Axial slice 547 of 673 of a contrast-enhanced abdominal CT in the arterial phase (slice 1 is the lowest), 140 kVp, kernel I30f; 1.00 mm slice thickness and 0.957 mm pixels.
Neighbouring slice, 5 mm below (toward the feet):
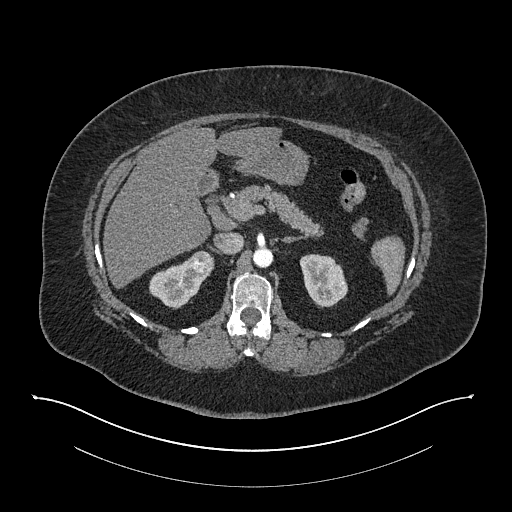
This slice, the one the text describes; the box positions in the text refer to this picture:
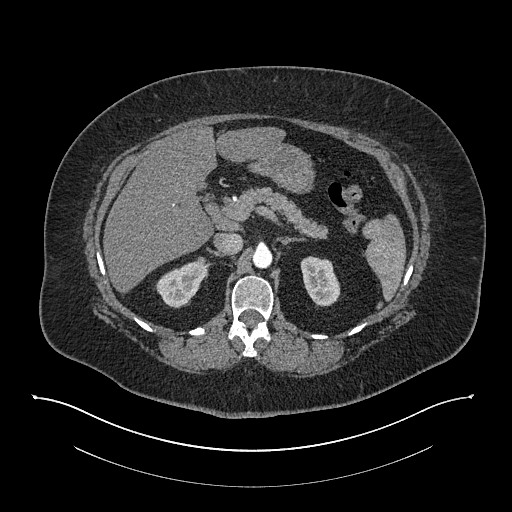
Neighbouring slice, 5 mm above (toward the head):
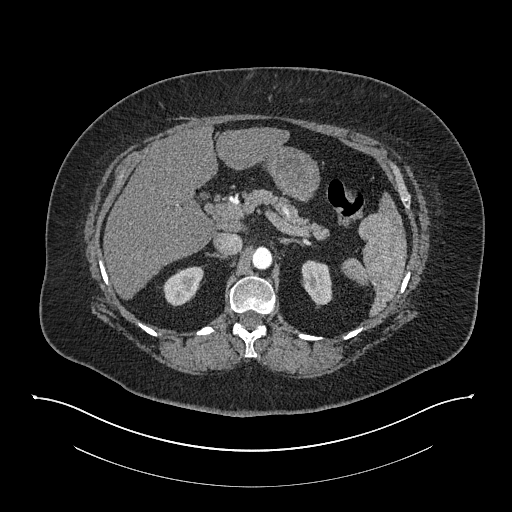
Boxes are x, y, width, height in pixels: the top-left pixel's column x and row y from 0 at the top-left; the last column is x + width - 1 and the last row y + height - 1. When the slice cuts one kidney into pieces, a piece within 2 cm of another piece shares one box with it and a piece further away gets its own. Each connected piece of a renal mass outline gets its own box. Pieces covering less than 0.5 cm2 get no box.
Three boxes on this slice (two kidney boxes and one renal mass box), listed by box centre from the image's left to its right. (1) Right kidney, box x 155, y 258, width 56, height 51 (outlined area 1,601 px, about 14.7 cm2). (2) Right renal mass, box x 195, y 257, width 10, height 10 (outlined area 77 px, about 0.7 cm2). (3) Left kidney at x 300, y 256, width 41, height 51 (outlined area 1,521 px, about 13.9 cm2). This slice lies near the end of the right renal mass toward the head; the slices 5 mm below and 5 mm above it are shown too, and the boxes mark positions on this slice only.